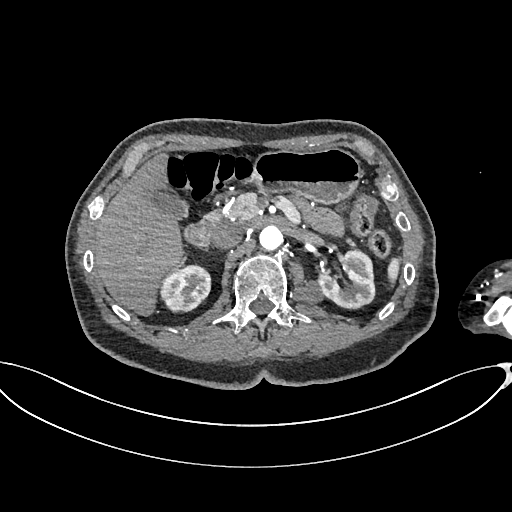
One axial slice (437 of 665, counting up from the lowest) of an arterial-phase abdominal CT acquired with 100 kVp, kernel I26f; each pixel is 0.828 mm and the slice is 1.00 mm thick.
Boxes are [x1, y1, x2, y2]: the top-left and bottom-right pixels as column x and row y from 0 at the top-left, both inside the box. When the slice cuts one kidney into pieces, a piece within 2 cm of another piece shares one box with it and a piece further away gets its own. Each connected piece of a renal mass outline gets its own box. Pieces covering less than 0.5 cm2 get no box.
Three boxes on this slice (two kidney boxes and one renal mass box), listed by box centre from the image's left to its right. (1) Right kidney, box [160, 264, 211, 312] (outlined area 1,939 px, about 13.3 cm2). (2) Left renal mass, box [292, 280, 323, 304] (outlined area 587 px, about 4.0 cm2). (3) Box [317, 250, 374, 308]: left kidney (outlined area 2,348 px, about 16.1 cm2).